One axial slice (111 of 279, counting up from the lowest) of an arterial-phase abdominal CT acquired with 120 kVp, kernel B31f; each pixel is 0.824 mm and the slice is 2.00 mm thick.
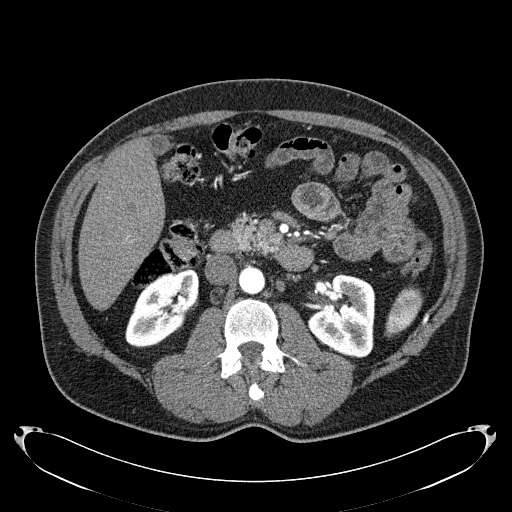
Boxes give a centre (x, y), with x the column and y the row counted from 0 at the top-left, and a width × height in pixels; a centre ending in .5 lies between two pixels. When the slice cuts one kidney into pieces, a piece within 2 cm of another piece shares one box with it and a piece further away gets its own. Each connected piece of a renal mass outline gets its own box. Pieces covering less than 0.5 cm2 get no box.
Boxed on this slice (two kidney boxes), listed by box centre from the image's left to its right: (1) Right kidney in a box with centre (161.5, 308), 74 × 79 pixels (outlined area 3,883 px, about 26.4 cm2). (2) Left kidney in a box with centre (341, 315), 69 × 85 pixels (outlined area 4,289 px, about 29.1 cm2). This slice carries no renal mass outline.